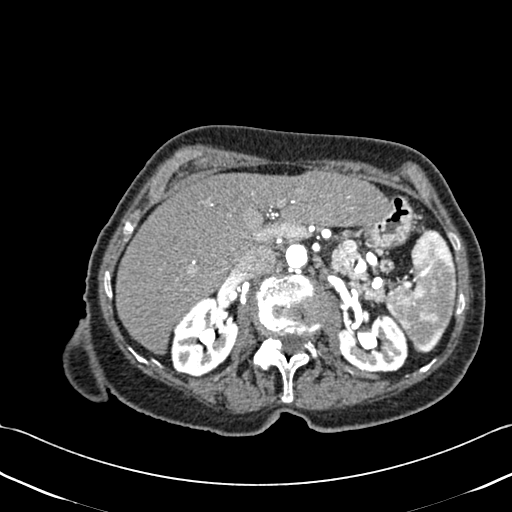
Abdominal CT with intravenous contrast, axial plane, 120 kVp, kernel B30f. Slice 289/433 from the bottom of the scan; thickness 1.00 mm; pixel size 0.672 mm.
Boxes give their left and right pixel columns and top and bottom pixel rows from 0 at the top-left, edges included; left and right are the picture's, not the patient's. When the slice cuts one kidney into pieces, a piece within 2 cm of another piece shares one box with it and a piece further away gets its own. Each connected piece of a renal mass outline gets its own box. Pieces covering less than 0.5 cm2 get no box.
Boxed on this slice (two kidney boxes), listed by box centre from the image's left to its right: (1) Right kidney, the box with left 171, top 296, right 238, bottom 376 (outlined area 3,925 px, about 17.7 cm2). (2) Box with left 337, top 314, right 408, bottom 372: left kidney (outlined area 3,194 px, about 14.4 cm2). This slice carries no renal mass outline.